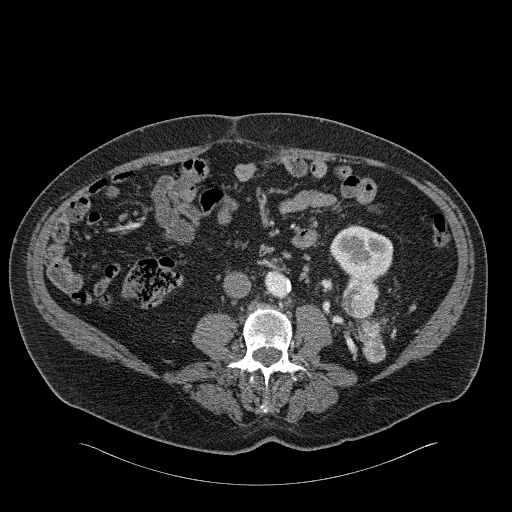
Arterial-phase contrast-enhanced abdominal CT, axial slice 72 of 326 (counted from the lowest slice); tube voltage 120 kVp, convolution kernel B31f; slices 2.00 mm thick, 0.963 mm per pixel.
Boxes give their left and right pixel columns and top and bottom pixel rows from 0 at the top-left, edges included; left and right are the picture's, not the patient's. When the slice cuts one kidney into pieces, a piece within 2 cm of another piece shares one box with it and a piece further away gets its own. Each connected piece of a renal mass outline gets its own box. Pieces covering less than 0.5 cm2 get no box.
Boxed on this slice (one kidney box and one renal mass box), listed by box centre from the image's left to its right: (1) Left kidney, the box with left 330, top 225, right 393, bottom 281 (outlined area 2,619 px, about 24.3 cm2). (2) Left renal mass in the box with left 341, top 277, right 386, bottom 363 (outlined area 2,208 px, about 20.5 cm2).